Arterial-phase contrast-enhanced abdominal CT, axial slice 73 of 99 (counted from the lowest slice); tube voltage 120 kVp, convolution kernel B30f; slices 5.00 mm thick, 0.693 mm per pixel.
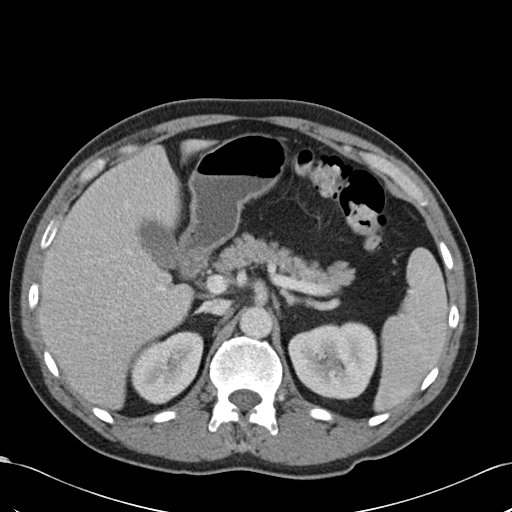
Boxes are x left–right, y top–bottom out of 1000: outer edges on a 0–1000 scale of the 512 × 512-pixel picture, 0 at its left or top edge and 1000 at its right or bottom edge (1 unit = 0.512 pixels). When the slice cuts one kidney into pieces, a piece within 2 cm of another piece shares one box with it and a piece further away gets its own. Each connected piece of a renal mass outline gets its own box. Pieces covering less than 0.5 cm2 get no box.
Two kidney boxes on this slice; by box centre, from the image's left to its right: (1) Right kidney, box x 250–398, y 646–791 out of 1000 (outlined area 3,906 px, about 18.8 cm2). (2) Left kidney at x 563–738, y 627–781 out of 1000 (outlined area 5,543 px, about 26.6 cm2). This slice carries no renal mass outline.